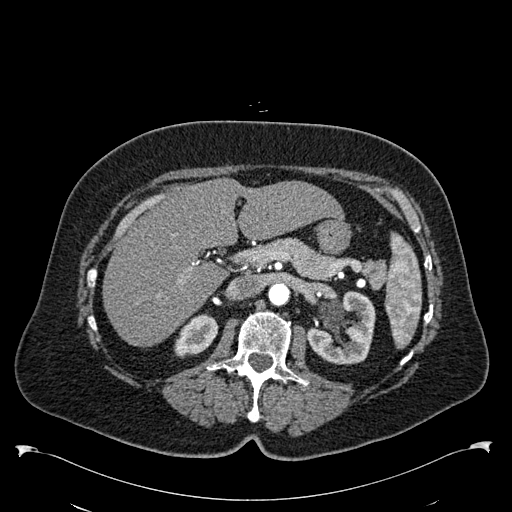
Arterial-phase contrast-enhanced abdominal CT, axial slice 366 of 538 (counted from the lowest slice); tube voltage 120 kVp, convolution kernel B30f; slices 1.00 mm thick, 0.811 mm per pixel.
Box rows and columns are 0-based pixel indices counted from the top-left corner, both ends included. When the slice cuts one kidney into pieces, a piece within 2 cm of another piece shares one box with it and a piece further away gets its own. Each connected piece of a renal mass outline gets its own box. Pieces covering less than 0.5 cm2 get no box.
Two kidney boxes on this slice; by box centre, from the image's left to its right: (1) Box rows 314–358, columns 174–218: right kidney (outlined area 1,321 px, about 8.7 cm2). (2) Left kidney, box rows 290–363, columns 306–375 (outlined area 3,597 px, about 23.6 cm2). This slice carries no renal mass outline.